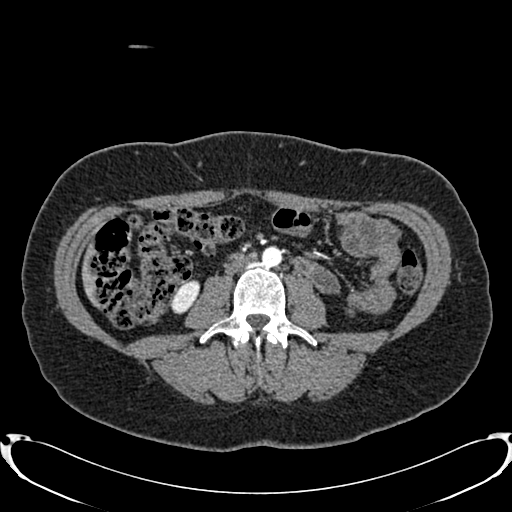
One axial slice (371 of 719, counting up from the lowest) of an arterial-phase abdominal CT acquired with 120 kVp, kernel B20f; each pixel is 0.766 mm and the slice is 1.00 mm thick.
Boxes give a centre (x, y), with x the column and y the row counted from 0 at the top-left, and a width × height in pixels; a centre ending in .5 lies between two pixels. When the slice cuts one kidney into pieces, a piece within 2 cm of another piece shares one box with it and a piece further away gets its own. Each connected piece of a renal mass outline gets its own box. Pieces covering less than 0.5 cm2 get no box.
Right kidney in a box with centre (184.5, 296.5), 30 × 34 pixels (outlined area 671 px, about 3.9 cm2). No renal mass outline on this slice.